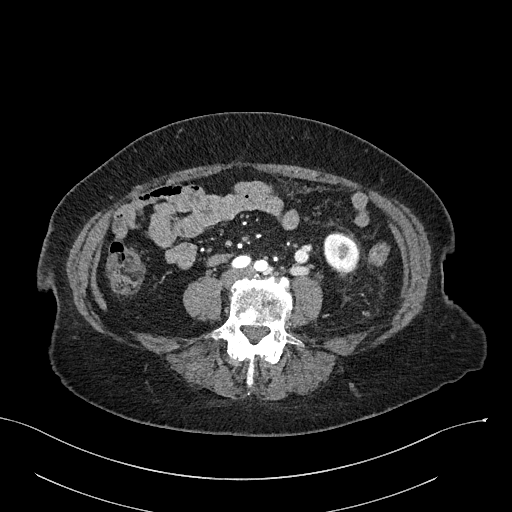
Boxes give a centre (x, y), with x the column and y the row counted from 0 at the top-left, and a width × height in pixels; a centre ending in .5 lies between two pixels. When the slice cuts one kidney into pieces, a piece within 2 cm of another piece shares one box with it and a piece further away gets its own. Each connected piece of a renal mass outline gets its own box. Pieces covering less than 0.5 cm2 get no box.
Slice 72/316 of a contrast-enhanced abdominal CT in the arterial phase, counting up from the lowest; pixel size 0.840 mm, slice thickness 2.00 mm. Left kidney, box centre (340.5, 252), 36 × 39 pixels (outlined area 1,121 px, about 7.9 cm2). No renal mass outline on this slice.
Tube voltage 100 kVp; convolution kernel I40f.